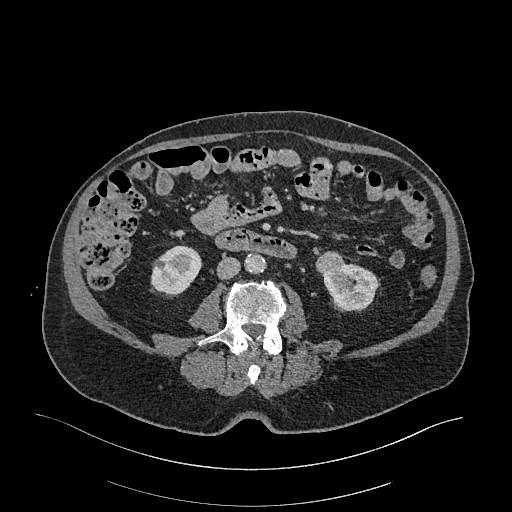
One axial slice (92 of 470, counting up from the lowest) of an arterial-phase abdominal CT acquired with 120 kVp, kernel I26f; each pixel is 0.938 mm and the slice is 1.00 mm thick.
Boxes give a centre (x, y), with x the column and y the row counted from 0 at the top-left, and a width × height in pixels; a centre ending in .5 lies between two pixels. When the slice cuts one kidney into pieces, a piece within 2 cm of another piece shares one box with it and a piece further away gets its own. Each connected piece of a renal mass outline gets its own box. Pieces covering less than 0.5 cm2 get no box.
Boxed on this slice (two kidney boxes and one renal mass box), listed by box centre from the image's left to its right: (1) Right kidney, box centre (176, 269.5), 53 × 50 pixels (outlined area 1,924 px, about 16.9 cm2). (2) Box centre (329, 263.5), 29 × 26 pixels: left renal mass (outlined area 568 px, about 5.0 cm2). (3) Box centre (350, 286), 57 × 51 pixels: left kidney (outlined area 1,912 px, about 16.8 cm2).